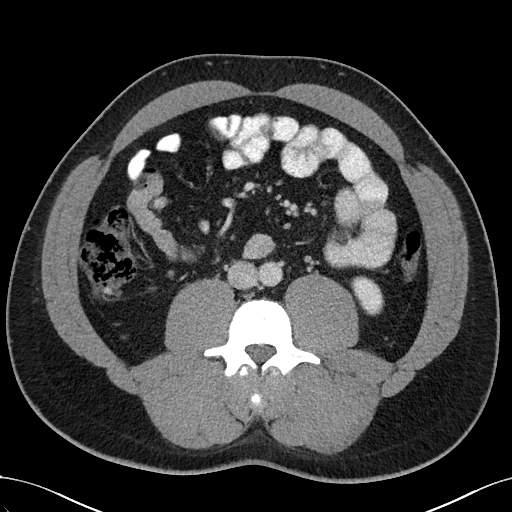
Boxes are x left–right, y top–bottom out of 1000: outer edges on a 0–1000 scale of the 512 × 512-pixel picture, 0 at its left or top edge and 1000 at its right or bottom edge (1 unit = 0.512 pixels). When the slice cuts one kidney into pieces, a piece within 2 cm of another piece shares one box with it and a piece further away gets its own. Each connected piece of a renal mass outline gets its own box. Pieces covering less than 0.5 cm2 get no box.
This is axial slice 56 of 102 (slice 1 is the lowest) of an arterial-phase abdominal CT with contrast; each pixel is 0.781 mm and the slice is 5.00 mm thick. Left kidney, box x 684–750, y 539–617 out of 1000 (outlined area 921 px, about 5.6 cm2). No renal mass outline on this slice.
Acquired at 100 kVp and reconstructed with the I40f kernel.